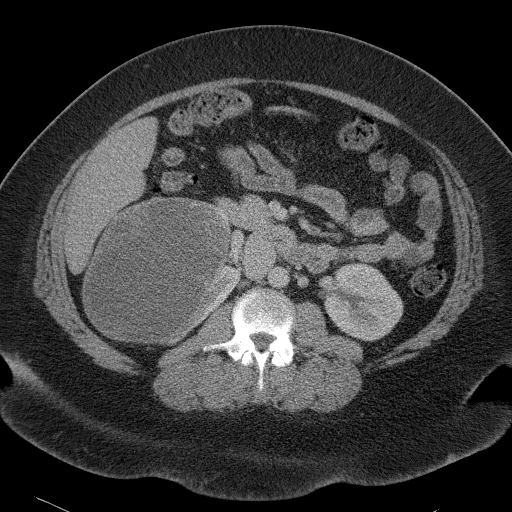
Axial slice 58 of 90 of a contrast-enhanced abdominal CT (slice 1 is the lowest), 120 kVp, kernel B41f; 5.00 mm slice thickness and 0.781 mm pixels.
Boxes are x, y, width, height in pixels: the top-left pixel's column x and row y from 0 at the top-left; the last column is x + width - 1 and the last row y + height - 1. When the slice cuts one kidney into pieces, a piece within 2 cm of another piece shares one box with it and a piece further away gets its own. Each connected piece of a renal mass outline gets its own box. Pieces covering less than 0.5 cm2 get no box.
Two kidney boxes and one renal mass box on this slice; by box centre, from the image's left to its right: (1) Right renal mass at x 81, y 196, width 149, height 149 (outlined area 16,692 px, about 101.9 cm2). (2) Right kidney at x 160, y 263, width 82, height 83 (outlined area 1,228 px, about 7.5 cm2). (3) Left kidney at x 323, y 262, width 81, height 80 (outlined area 4,603 px, about 28.1 cm2).